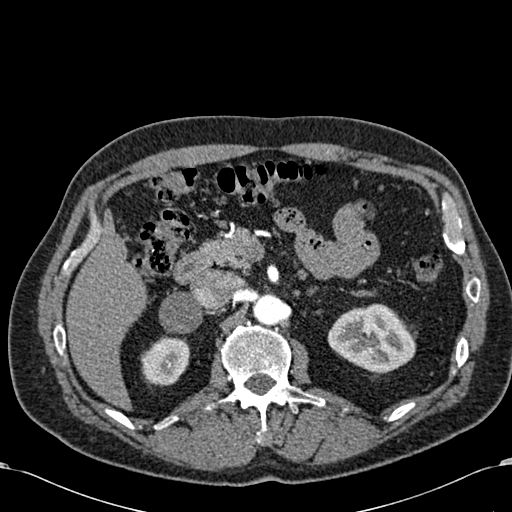
Abdominal CT with intravenous contrast, arterial phase, axial plane, 120 kVp, kernel B30f. Slice 404/581 from the bottom of the scan; thickness 1.00 mm; pixel size 0.713 mm.
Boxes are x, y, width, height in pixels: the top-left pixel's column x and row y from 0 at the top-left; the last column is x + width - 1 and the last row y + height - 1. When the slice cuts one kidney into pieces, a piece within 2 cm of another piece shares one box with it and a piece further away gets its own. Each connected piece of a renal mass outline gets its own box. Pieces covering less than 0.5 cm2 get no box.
Two boxes on this slice (two kidney boxes), listed by box centre from the image's left to its right. (1) Right kidney at x 140, y 336, width 50, height 51 (outlined area 1,907 px, about 9.7 cm2). (2) Box x 327, y 303, width 90, height 72: left kidney (outlined area 4,468 px, about 22.7 cm2). This slice carries no renal mass outline.